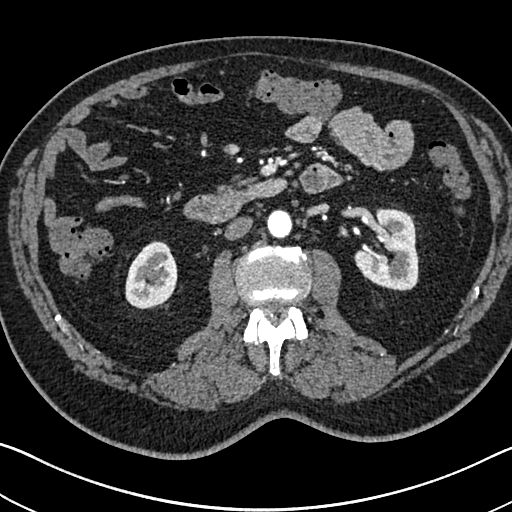
One axial slice (391 of 705, counting up from the lowest) of an arterial-phase abdominal CT acquired with 120 kVp, kernel I30f; each pixel is 0.703 mm and the slice is 1.00 mm thick.
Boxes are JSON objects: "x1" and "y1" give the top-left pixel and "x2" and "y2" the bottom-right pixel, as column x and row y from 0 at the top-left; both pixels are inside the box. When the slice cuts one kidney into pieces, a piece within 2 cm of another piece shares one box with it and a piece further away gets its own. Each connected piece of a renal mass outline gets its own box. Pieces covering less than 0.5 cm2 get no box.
Boxed on this slice (two kidney boxes), listed by box centre from the image's left to its right: (1) Box {"x1": 125, "y1": 240, "x2": 177, "y2": 309}: right kidney (outlined area 2,761 px, about 13.6 cm2). (2) Left kidney, box {"x1": 353, "y1": 208, "x2": 418, "y2": 290} (outlined area 3,895 px, about 19.3 cm2). No renal mass outline on this slice.